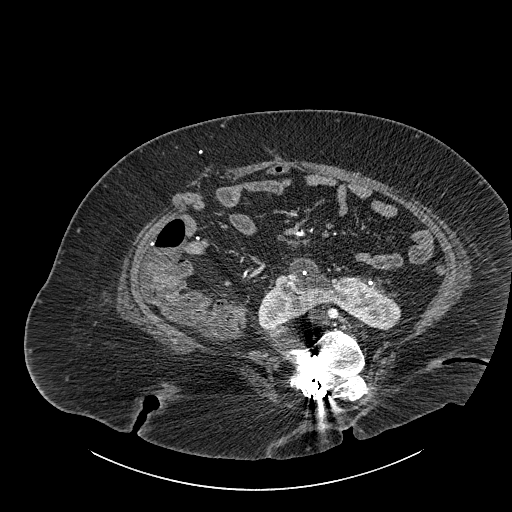
Abdominal CT with intravenous contrast, axial plane, 140 kVp, kernel I30f. Slice 461/834 from the bottom of the scan; thickness 1.00 mm; pixel size 0.977 mm.
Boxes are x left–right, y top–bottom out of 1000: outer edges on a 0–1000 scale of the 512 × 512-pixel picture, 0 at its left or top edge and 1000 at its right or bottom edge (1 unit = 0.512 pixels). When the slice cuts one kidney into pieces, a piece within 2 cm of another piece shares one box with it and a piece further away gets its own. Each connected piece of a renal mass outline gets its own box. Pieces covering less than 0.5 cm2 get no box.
Kidney crossing the body midline, box x 502–785, y 504–645 out of 1000 (outlined area 5,694 px, about 54.3 cm2). No renal mass outline on this slice.